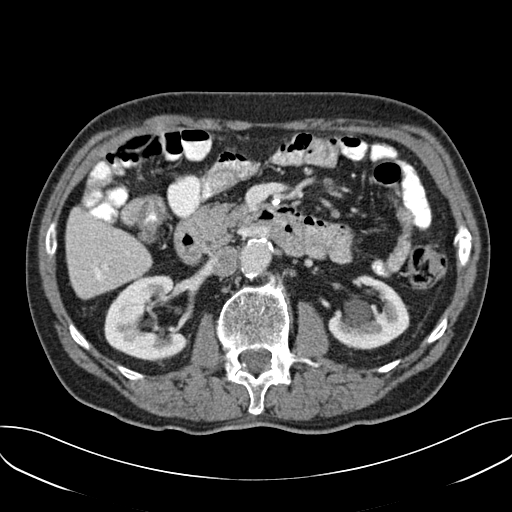
Axial slice 102 of 157 of a contrast-enhanced abdominal CT in the arterial phase (slice 1 is the lowest), 120 kVp, kernel B30f; 3.00 mm slice thickness and 0.742 mm pixels.
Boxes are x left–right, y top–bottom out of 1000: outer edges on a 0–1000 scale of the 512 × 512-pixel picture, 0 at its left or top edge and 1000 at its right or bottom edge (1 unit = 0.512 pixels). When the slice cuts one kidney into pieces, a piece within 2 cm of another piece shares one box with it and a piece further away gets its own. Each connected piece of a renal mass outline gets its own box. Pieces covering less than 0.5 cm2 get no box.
Two kidney boxes on this slice; by box centre, from the image's left to its right: (1) Right kidney at x 203–367, y 537–707 out of 1000 (outlined area 5,017 px, about 27.6 cm2). (2) Left kidney at x 641–801, y 537–684 out of 1000 (outlined area 3,879 px, about 21.4 cm2). No renal mass is outlined on this slice.